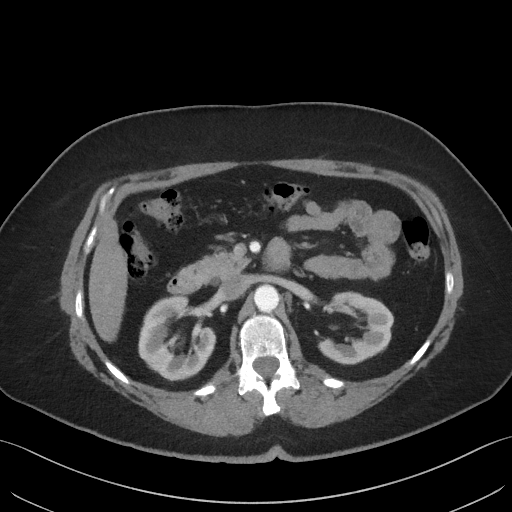
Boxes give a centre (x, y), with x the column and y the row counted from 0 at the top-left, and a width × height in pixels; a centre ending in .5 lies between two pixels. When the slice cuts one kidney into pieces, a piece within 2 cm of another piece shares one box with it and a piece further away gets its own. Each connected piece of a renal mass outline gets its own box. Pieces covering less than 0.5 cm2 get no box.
Slice 32/69 of a contrast-enhanced abdominal CT, counting up from the lowest; pixel size 0.736 mm, slice thickness 3.00 mm. Boxed on this slice (two kidney boxes), listed by box centre from the image's left to its right: (1) Box centre (176.5, 337.5), 78 × 86 pixels: right kidney (outlined area 4,409 px, about 23.9 cm2). (2) Left kidney in a box with centre (355, 327.5), 77 × 74 pixels (outlined area 3,364 px, about 18.2 cm2). This slice carries no renal mass outline.
Tube voltage 140 kVp; convolution kernel I41f.